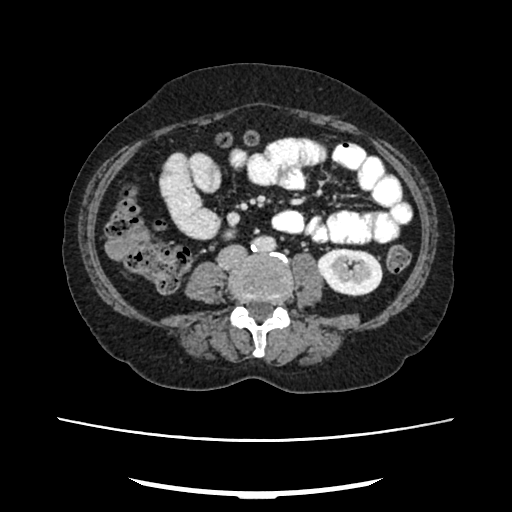
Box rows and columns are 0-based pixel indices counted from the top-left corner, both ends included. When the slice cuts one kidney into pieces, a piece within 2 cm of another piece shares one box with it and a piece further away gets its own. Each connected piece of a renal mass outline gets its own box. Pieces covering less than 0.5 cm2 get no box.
Arterial-phase contrast-enhanced abdominal CT, axial slice 111 of 207 (counted from the lowest slice); 2.00 mm thick, 0.741 mm per pixel. Boxed on this slice (two kidney boxes), listed by box centre from the image's left to its right: (1) Right kidney, box rows 228–238, columns 222–234 (outlined area 101 px, about 0.6 cm2). (2) Box rows 248–296, columns 316–382: left kidney (outlined area 2,495 px, about 13.7 cm2). No renal mass outline on this slice.
Acquired at 120 kVp and reconstructed with the FC18 kernel.